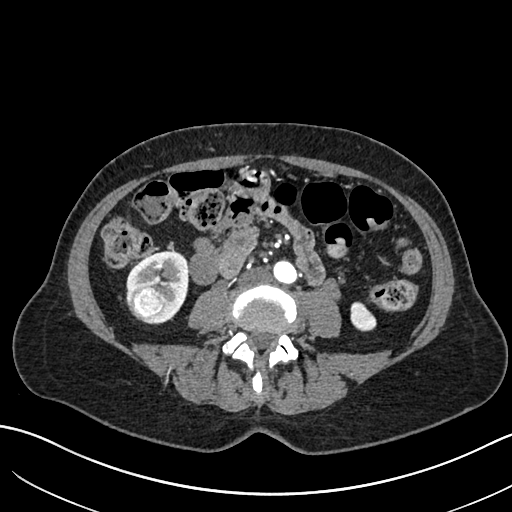
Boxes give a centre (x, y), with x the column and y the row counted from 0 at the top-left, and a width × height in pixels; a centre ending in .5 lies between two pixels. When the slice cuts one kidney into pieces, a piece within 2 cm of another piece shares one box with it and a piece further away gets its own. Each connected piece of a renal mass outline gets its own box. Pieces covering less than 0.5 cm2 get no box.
Arterial-phase contrast-enhanced abdominal CT, axial slice 282 of 683 (counted from the lowest slice); 1.00 mm thick, 0.738 mm per pixel. Two kidney boxes and one renal mass box on this slice; by box centre, from the image's left to its right: (1) Right renal mass in a box with centre (147.5, 303), 42 × 37 pixels (outlined area 1,169 px, about 6.4 cm2). (2) Box centre (157, 286.5), 63 × 74 pixels: right kidney (outlined area 2,551 px, about 13.9 cm2). (3) Left kidney, box centre (363, 316), 27 × 31 pixels (outlined area 601 px, about 3.3 cm2).
Tube voltage 120 kVp; convolution kernel I30f.